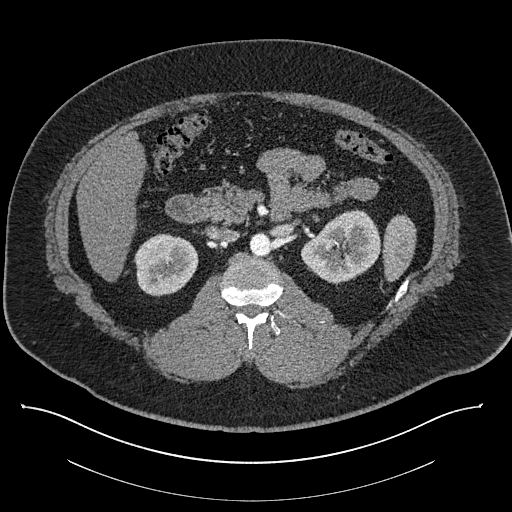
Axial slice 511 of 787 of a contrast-enhanced abdominal CT (slice 1 is the lowest), 140 kVp, kernel I30f; 1.00 mm slice thickness and 0.910 mm pixels.
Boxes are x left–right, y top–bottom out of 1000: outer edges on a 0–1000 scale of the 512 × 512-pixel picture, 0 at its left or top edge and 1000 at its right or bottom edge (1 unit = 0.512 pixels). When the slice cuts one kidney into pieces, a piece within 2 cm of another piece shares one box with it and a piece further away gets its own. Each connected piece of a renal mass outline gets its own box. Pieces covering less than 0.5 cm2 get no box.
Boxed on this slice (two kidney boxes), listed by box centre from the image's left to its right: (1) Box x 260–389, y 455–580 out of 1000: right kidney (outlined area 3,138 px, about 26.0 cm2). (2) Left kidney at x 588–744, y 408–559 out of 1000 (outlined area 4,167 px, about 34.5 cm2). No renal mass is outlined on this slice.